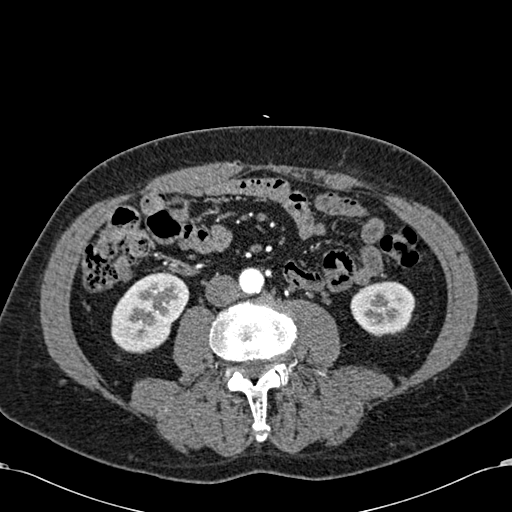
Axial slice 245 of 581 of a contrast-enhanced abdominal CT in the arterial phase (slice 1 is the lowest), 120 kVp, kernel B30f; 1.00 mm slice thickness and 0.713 mm pixels.
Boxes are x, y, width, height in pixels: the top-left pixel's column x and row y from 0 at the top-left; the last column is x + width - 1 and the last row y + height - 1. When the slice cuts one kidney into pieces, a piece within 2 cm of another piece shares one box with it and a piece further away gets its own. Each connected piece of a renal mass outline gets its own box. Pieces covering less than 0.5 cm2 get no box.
Two boxes on this slice (two kidney boxes), listed by box centre from the image's left to its right. (1) Right kidney at x 111, y 271, width 79, height 83 (outlined area 4,536 px, about 23.1 cm2). (2) Box x 350, y 281, width 66, height 54: left kidney (outlined area 2,810 px, about 14.3 cm2). No renal mass outline on this slice.